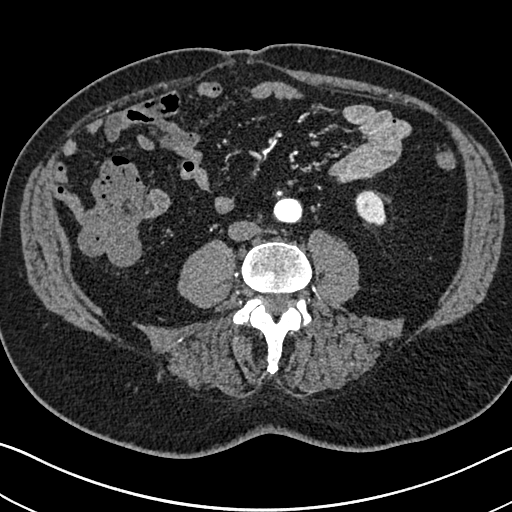
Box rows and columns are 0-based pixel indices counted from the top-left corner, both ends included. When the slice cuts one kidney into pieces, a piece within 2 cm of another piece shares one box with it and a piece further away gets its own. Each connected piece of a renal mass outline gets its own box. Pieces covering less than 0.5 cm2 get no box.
Arterial-phase contrast-enhanced abdominal CT, axial slice 275 of 705 (counted from the lowest slice); 1.00 mm thick, 0.703 mm per pixel. Left kidney, box rows 190–225, columns 355–386 (outlined area 858 px, about 4.2 cm2). This slice carries no renal mass outline.
Acquired at 120 kVp and reconstructed with the I30f kernel.